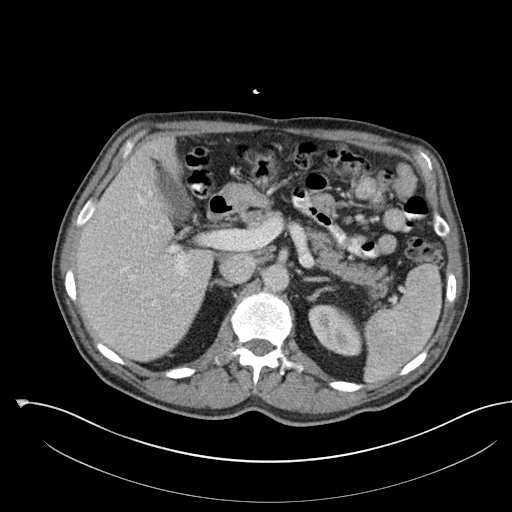
One axial slice (76 of 142, counting up from the lowest) of a contrast-enhanced abdominal CT acquired with 100 kVp, kernel I30f; each pixel is 0.855 mm and the slice is 5.00 mm thick.
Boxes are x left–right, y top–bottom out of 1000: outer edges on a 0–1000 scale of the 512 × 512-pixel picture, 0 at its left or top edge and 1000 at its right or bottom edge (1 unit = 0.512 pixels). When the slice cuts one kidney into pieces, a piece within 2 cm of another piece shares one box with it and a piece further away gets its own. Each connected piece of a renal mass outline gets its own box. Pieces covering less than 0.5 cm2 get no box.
Box x 602–709, y 594–697 out of 1000: left kidney (outlined area 2,040 px, about 14.9 cm2). This slice carries no renal mass outline.